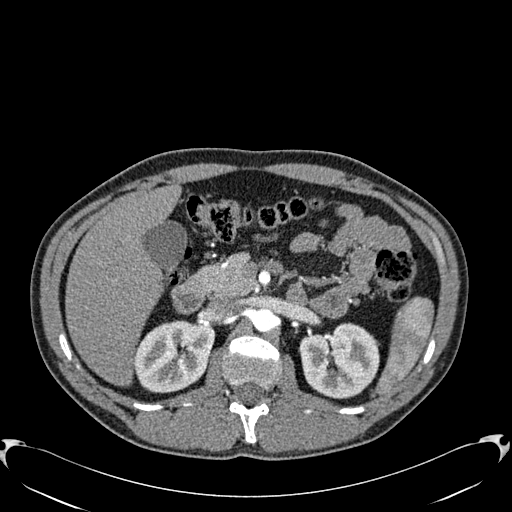
Axial slice 388 of 512 of a contrast-enhanced abdominal CT in the arterial phase (slice 1 is the lowest), 120 kVp, kernel B30f; 1.00 mm slice thickness and 0.771 mm pixels.
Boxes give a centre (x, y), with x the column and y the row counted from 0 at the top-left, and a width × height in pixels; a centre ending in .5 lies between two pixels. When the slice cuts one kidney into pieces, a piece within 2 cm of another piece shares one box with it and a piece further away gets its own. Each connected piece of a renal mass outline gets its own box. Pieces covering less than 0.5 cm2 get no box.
Boxed on this slice (two kidney boxes), listed by box centre from the image's left to its right: (1) Right kidney, box centre (174.5, 356.5), 80 × 74 pixels (outlined area 4,516 px, about 26.9 cm2). (2) Left kidney, box centre (339, 360.5), 81 × 76 pixels (outlined area 4,680 px, about 27.9 cm2). No renal mass is outlined on this slice.